Abdominal CT with intravenous contrast, arterial phase, axial plane, 120 kVp, kernel I26f. Slice 226/470 from the bottom of the scan; thickness 1.00 mm; pixel size 0.938 mm.
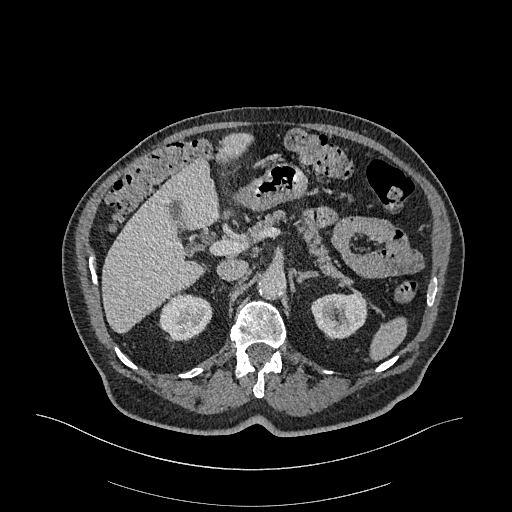
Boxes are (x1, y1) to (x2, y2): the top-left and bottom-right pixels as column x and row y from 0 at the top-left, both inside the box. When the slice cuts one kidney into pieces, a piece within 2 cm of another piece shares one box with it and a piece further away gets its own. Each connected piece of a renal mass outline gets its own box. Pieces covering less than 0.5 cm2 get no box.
Two kidney boxes on this slice; by box centre, from the image's left to its right: (1) Box (160, 293) to (212, 340): right kidney (outlined area 1,931 px, about 17.0 cm2). (2) Box (310, 293) to (367, 339): left kidney (outlined area 2,073 px, about 18.2 cm2). This slice carries no renal mass outline.